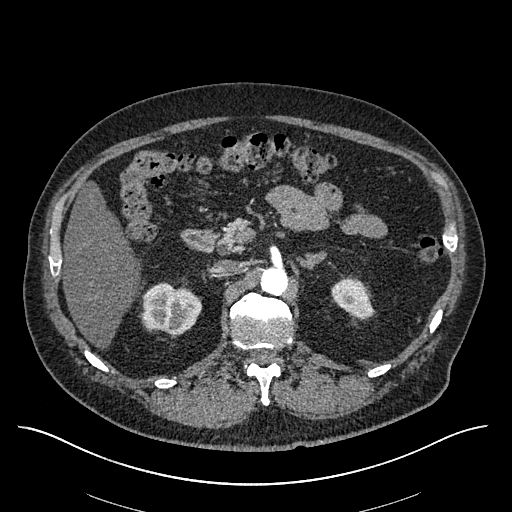
Axial slice 386 of 670 of a contrast-enhanced abdominal CT in the arterial phase (slice 1 is the lowest), 120 kVp, kernel I30f; 1.00 mm slice thickness and 0.861 mm pixels.
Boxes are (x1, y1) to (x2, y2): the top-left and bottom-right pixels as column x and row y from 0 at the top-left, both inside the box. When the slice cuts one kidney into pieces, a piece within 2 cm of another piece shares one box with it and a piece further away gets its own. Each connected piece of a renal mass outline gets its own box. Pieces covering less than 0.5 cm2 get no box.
Two boxes on this slice (two kidney boxes), listed by box centre from the image's left to its right. (1) Right kidney, box (139, 283) to (201, 335) (outlined area 2,397 px, about 17.8 cm2). (2) Left kidney, box (331, 278) to (373, 320) (outlined area 1,234 px, about 9.2 cm2). No renal mass is outlined on this slice.